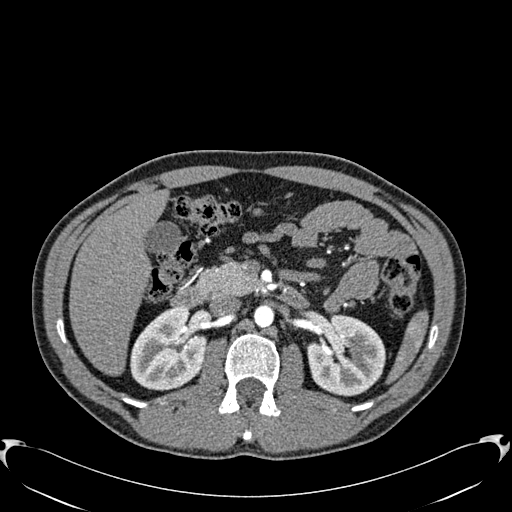
One axial slice (369 of 512, counting up from the lowest) of an arterial-phase abdominal CT acquired with 120 kVp, kernel B30f; each pixel is 0.771 mm and the slice is 1.00 mm thick.
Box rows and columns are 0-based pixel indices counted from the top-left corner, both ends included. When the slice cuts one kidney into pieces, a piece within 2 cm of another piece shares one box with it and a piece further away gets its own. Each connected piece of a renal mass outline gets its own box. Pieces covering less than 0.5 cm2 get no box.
Two kidney boxes on this slice; by box centre, from the image's left to its right: (1) Right kidney, box rows 306–390, columns 130–205 (outlined area 4,757 px, about 28.3 cm2). (2) Left kidney, box rows 314–396, columns 307–385 (outlined area 4,895 px, about 29.1 cm2). This slice carries no renal mass outline.